Axial slice 473 of 738 of a contrast-enhanced abdominal CT in the arterial phase (slice 1 is the lowest), 120 kVp, kernel I30f; 1.00 mm slice thickness and 0.789 mm pixels.
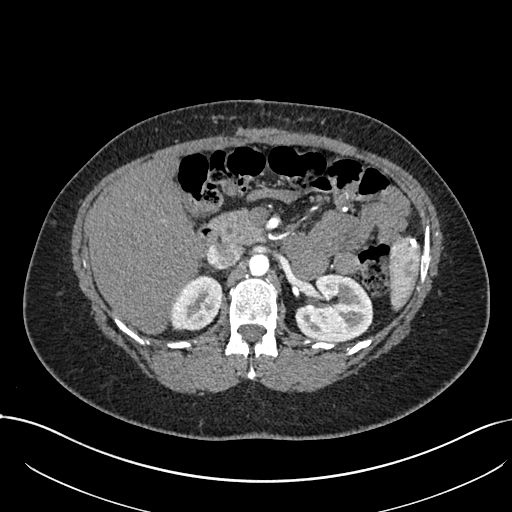
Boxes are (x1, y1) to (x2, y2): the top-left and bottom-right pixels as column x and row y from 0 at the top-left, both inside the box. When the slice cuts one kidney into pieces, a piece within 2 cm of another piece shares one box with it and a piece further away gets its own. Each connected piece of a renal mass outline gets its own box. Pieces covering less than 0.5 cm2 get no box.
Two kidney boxes on this slice; by box centre, from the image's left to its right: (1) Box (169, 274) to (220, 331): right kidney (outlined area 2,272 px, about 14.1 cm2). (2) Left kidney, box (295, 273) to (373, 341) (outlined area 4,116 px, about 25.6 cm2). No renal mass outline on this slice.